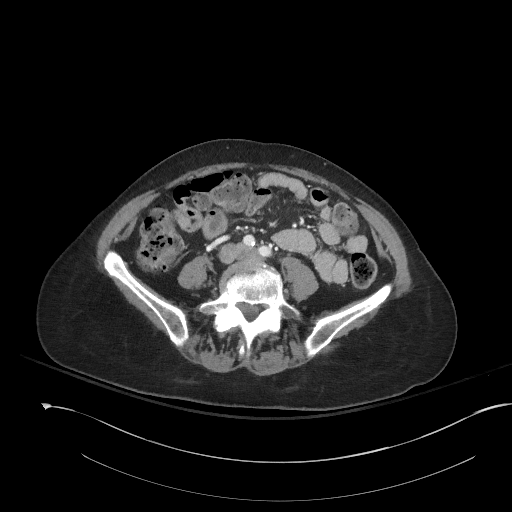
Contrast-enhanced abdominal CT, axial slice 69 of 153 (counted from the lowest slice); 3.00 mm thick, 0.893 mm per pixel. No kidney and no renal mass is outlined on this slice; the outlines in this scan cover only the kidneys and the renal masses, so nothing is said about any other organ.
Tube voltage 120 kVp; convolution kernel I41f.